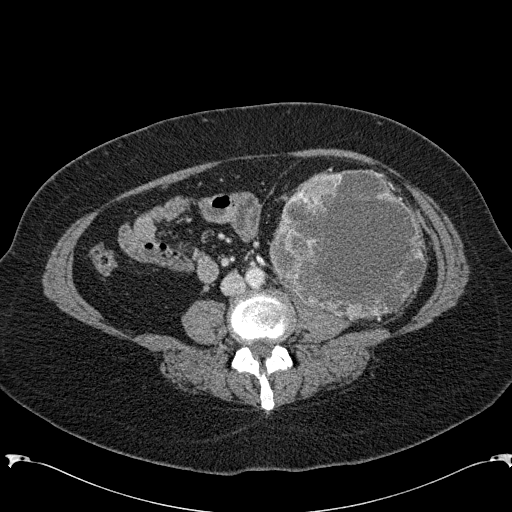
One axial slice (63 of 285, counting up from the lowest) of an arterial-phase abdominal CT acquired with 120 kVp, kernel B31f; each pixel is 0.762 mm and the slice is 2.00 mm thick.
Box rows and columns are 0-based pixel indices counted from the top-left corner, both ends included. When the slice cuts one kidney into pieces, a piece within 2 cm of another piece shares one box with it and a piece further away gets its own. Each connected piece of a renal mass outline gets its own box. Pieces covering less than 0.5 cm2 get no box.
Left renal mass at rows 169–320, columns 269–427 (outlined area 18,343 px, about 106.4 cm2); no kidney is outlined on this slice, but the same outlined renal mass comes within 1 cm of the kidney on another slice.